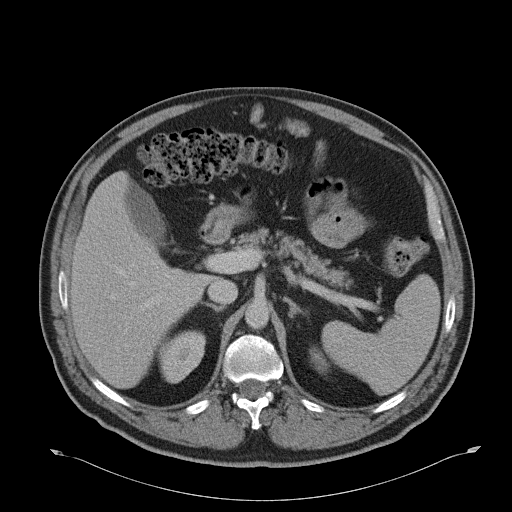
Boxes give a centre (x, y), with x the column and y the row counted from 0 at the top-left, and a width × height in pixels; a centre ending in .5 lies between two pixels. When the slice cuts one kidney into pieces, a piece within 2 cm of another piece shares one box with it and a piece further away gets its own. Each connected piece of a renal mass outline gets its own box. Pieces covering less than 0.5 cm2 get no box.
Contrast-enhanced abdominal CT, axial slice 30 of 51 (counted from the lowest slice); 5.00 mm thick, 0.865 mm per pixel. Two boxes on this slice (two kidney boxes), listed by box centre from the image's left to its right. (1) Right kidney, box centre (181.5, 356.5), 48 × 54 pixels (outlined area 1,849 px, about 13.8 cm2). (2) Left kidney, box centre (319, 360), 21 × 27 pixels (outlined area 337 px, about 2.5 cm2). This slice carries no renal mass outline.
Scan settings: 120 kVp, B31f reconstruction kernel.